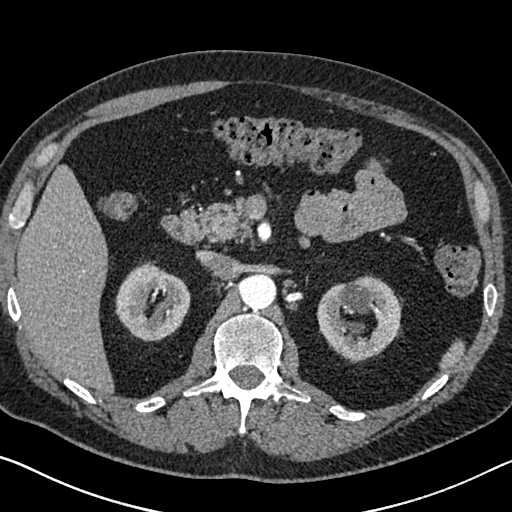
Axial slice 443 of 626 of a contrast-enhanced abdominal CT in the arterial phase (slice 1 is the lowest), 120 kVp, kernel I30f; 1.00 mm slice thickness and 0.703 mm pixels.
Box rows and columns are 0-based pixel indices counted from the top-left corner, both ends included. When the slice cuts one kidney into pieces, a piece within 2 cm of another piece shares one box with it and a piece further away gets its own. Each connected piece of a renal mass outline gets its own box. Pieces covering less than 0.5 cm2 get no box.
Two boxes on this slice (two kidney boxes), listed by box centre from the image's left to its right. (1) Box rows 261–341, columns 115–190: right kidney (outlined area 4,268 px, about 21.1 cm2). (2) Left kidney at rows 275–362, columns 316–402 (outlined area 5,140 px, about 25.4 cm2). No renal mass is outlined on this slice.